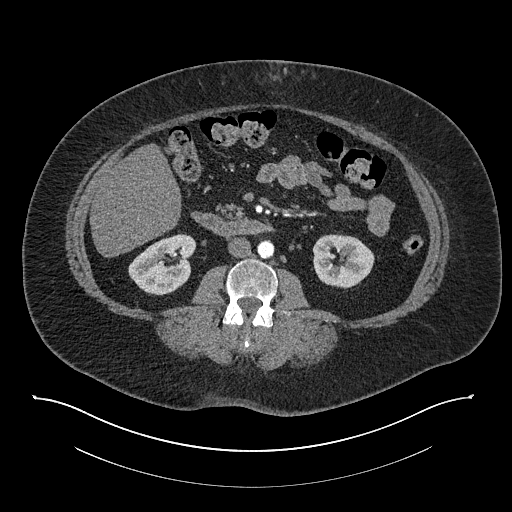
Abdominal CT with intravenous contrast, arterial phase, axial plane, 140 kVp, kernel I30f. Slice 408/673 from the bottom of the scan; thickness 1.00 mm; pixel size 0.957 mm.
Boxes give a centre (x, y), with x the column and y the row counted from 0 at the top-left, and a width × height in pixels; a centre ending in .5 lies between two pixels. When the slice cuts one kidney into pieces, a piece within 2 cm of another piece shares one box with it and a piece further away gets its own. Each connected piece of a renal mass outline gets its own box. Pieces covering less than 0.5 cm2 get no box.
Two boxes on this slice (two kidney boxes), listed by box centre from the image's left to its right. (1) Right kidney in a box with centre (162, 264), 69 × 63 pixels (outlined area 2,954 px, about 27.1 cm2). (2) Left kidney in a box with centre (343, 261), 63 × 55 pixels (outlined area 2,618 px, about 24.0 cm2). No renal mass outline on this slice.